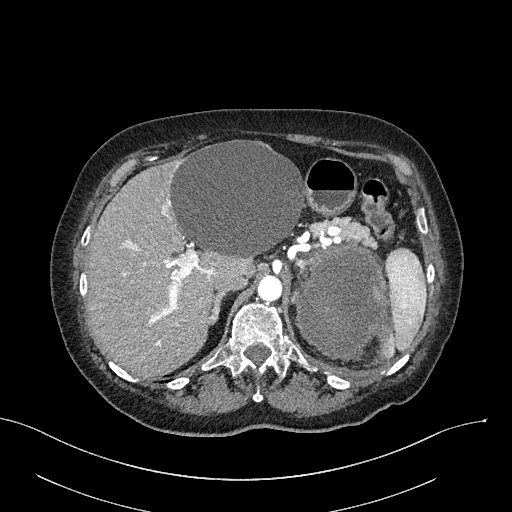
Abdominal CT with intravenous contrast, arterial phase, axial plane, 100 kVp, kernel I40f. Slice 199/316 from the bottom of the scan; thickness 2.00 mm; pixel size 0.840 mm.
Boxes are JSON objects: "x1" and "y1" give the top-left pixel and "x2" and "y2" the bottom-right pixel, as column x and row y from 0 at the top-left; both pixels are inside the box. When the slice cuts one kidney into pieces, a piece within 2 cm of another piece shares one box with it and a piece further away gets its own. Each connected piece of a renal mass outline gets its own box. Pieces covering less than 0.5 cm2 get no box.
Box {"x1": 297, "y1": 244, "x2": 386, "y2": 360}: left renal mass (outlined area 8,359 px, about 59.0 cm2); this slice has no kidney outline, though on another slice the same outlined renal mass lies within 1 cm of the kidney.